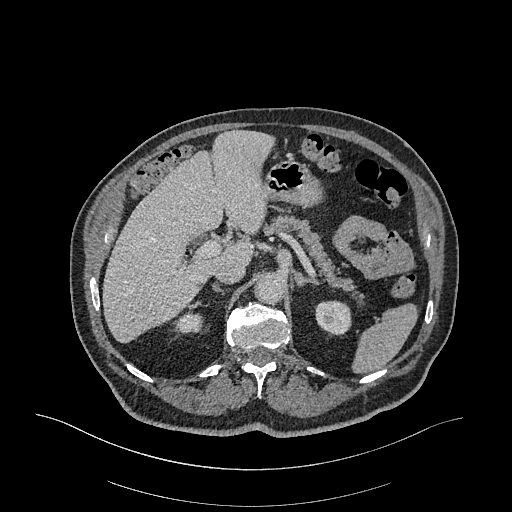
Axial slice 246 of 470 of a contrast-enhanced abdominal CT in the arterial phase (slice 1 is the lowest), 120 kVp, kernel I26f; 1.00 mm slice thickness and 0.938 mm pixels.
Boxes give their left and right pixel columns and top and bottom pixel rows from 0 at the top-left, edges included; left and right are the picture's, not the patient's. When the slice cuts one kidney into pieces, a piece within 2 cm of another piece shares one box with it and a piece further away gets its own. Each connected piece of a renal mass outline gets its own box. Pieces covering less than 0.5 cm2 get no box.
Two kidney boxes on this slice; by box centre, from the image's left to its right: (1) Right kidney, the box with left 177, top 314, right 200, bottom 331 (outlined area 364 px, about 3.2 cm2). (2) Box with left 315, top 300, right 351, bottom 336: left kidney (outlined area 1,071 px, about 9.4 cm2). No renal mass is outlined on this slice.